Axial slice 323 of 634 of a contrast-enhanced abdominal CT in the arterial phase (slice 1 is the lowest), 120 kVp, kernel B20f; 1.00 mm slice thickness and 0.838 mm pixels.
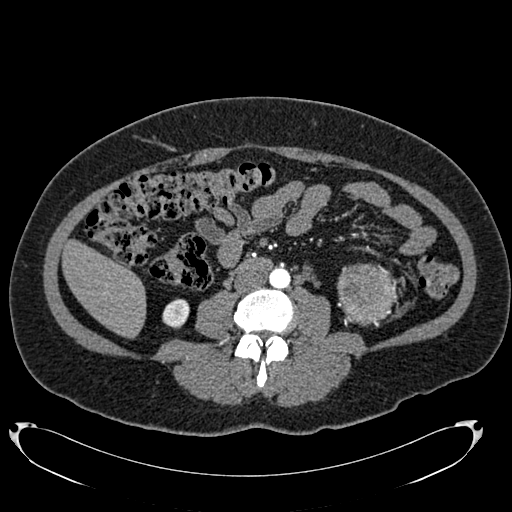
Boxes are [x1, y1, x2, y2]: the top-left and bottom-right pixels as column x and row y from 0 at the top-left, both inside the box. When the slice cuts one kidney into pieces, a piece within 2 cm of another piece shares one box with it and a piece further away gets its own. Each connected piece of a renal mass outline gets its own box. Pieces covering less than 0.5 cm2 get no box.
Boxed on this slice (one kidney box and one renal mass box), listed by box centre from the image's left to its right: (1) Right kidney at [162, 299, 189, 328] (outlined area 635 px, about 4.5 cm2). (2) Box [337, 263, 398, 325]: left renal mass (outlined area 2,979 px, about 20.9 cm2); on this slice it lies more than 1 cm from any kidney outline, but the same outlined renal mass comes within 1 cm of the kidney on another slice.